Contrast-enhanced abdominal CT, axial slice 69 of 99 (counted from the lowest slice); tube voltage 120 kVp, convolution kernel B31f; slices 5.00 mm thick, 0.742 mm per pixel.
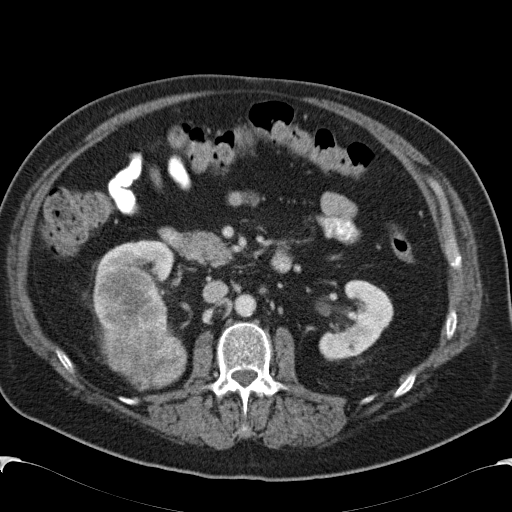
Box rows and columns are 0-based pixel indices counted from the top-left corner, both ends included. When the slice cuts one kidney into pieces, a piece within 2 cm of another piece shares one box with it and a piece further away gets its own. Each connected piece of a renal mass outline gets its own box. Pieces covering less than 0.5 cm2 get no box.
Three boxes on this slice (two kidney boxes and one renal mass box), listed by box centre from the image's left to its right. (1) Right kidney at rows 239–331, columns 92–174 (outlined area 2,772 px, about 15.3 cm2). (2) Box rows 265–391, columns 98–187: right renal mass (outlined area 7,707 px, about 42.5 cm2). (3) Left kidney, box rows 279–361, columns 319–393 (outlined area 3,736 px, about 20.6 cm2).